Contrast-enhanced abdominal CT, axial slice 55 of 301 (counted from the lowest slice); tube voltage 120 kVp, convolution kernel I40f; slices 2.00 mm thick, 0.859 mm per pixel.
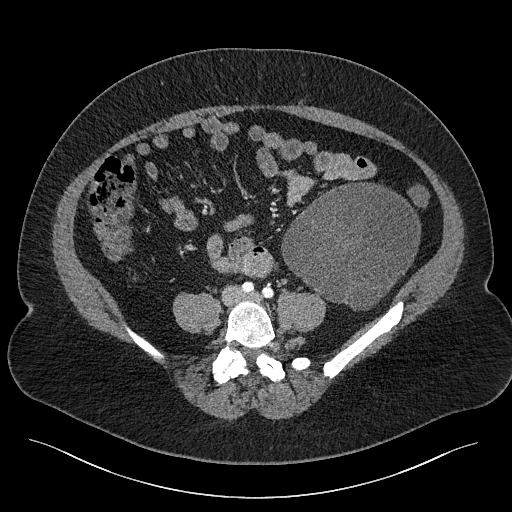
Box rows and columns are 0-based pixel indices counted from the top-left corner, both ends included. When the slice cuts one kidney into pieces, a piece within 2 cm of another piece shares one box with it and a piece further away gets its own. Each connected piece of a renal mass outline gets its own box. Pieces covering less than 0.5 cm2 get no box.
Left renal mass at rows 182–310, columns 281–420 (outlined area 12,749 px, about 94.2 cm2); no kidney outline appears on this slice, but the same outlined renal mass comes within 1 cm of the kidney on another slice.